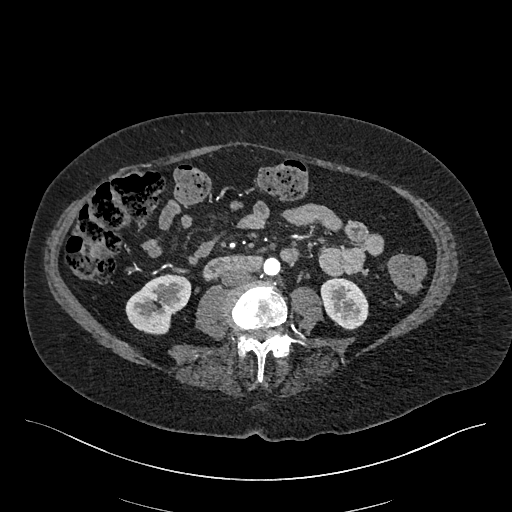
One axial slice (181 of 548, counting up from the lowest) of an arterial-phase abdominal CT acquired with 120 kVp, kernel I26f; each pixel is 0.852 mm and the slice is 1.00 mm thick.
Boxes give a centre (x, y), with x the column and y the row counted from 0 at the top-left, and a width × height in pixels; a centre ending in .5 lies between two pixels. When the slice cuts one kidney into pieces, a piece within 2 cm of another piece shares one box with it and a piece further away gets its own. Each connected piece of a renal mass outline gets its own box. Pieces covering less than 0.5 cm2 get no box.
Two kidney boxes on this slice; by box centre, from the image's left to its right: (1) Right kidney, box centre (157.5, 304), 66 × 61 pixels (outlined area 2,743 px, about 19.9 cm2). (2) Left kidney, box centre (344, 303), 49 × 53 pixels (outlined area 1,917 px, about 13.9 cm2). No renal mass is outlined on this slice.